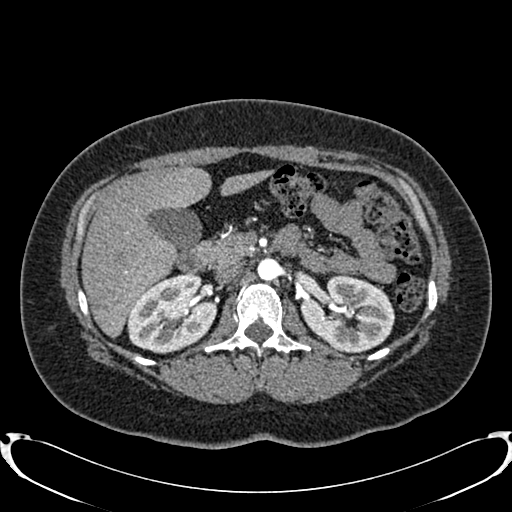
Axial slice 500 of 719 of a contrast-enhanced abdominal CT in the arterial phase (slice 1 is the lowest), 120 kVp, kernel B20f; 1.00 mm slice thickness and 0.766 mm pixels.
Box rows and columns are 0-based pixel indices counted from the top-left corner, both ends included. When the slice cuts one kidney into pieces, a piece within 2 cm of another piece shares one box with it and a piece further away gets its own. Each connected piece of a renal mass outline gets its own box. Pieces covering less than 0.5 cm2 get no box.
Two boxes on this slice (two kidney boxes), listed by box centre from the image's left to its right. (1) Box rows 273–353, columns 126–216: right kidney (outlined area 5,352 px, about 31.4 cm2). (2) Left kidney at rows 275–352, columns 300–394 (outlined area 5,308 px, about 31.1 cm2). This slice carries no renal mass outline.